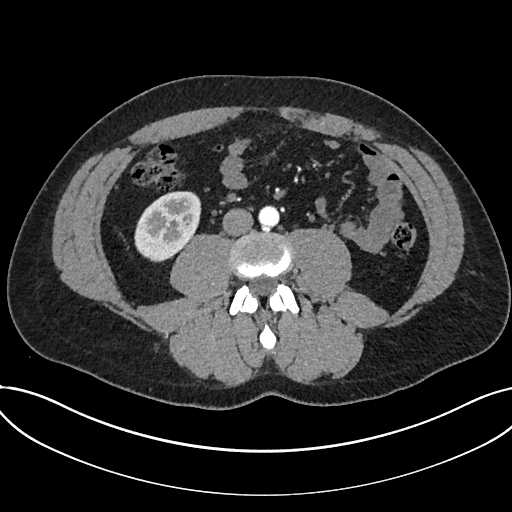
Abdominal CT with intravenous contrast, arterial phase, axial plane, 120 kVp, kernel I30f. Slice 301/735 from the bottom of the scan; thickness 1.00 mm; pixel size 0.789 mm.
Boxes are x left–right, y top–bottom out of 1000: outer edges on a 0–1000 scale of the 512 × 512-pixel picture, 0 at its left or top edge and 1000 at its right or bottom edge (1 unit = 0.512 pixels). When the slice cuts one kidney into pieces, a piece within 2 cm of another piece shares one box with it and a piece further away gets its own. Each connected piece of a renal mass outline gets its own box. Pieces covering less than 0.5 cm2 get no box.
Box x 262–395, y 373–514 out of 1000: kidney (outlined area 3,487 px, about 21.7 cm2). No renal mass is outlined on this slice.